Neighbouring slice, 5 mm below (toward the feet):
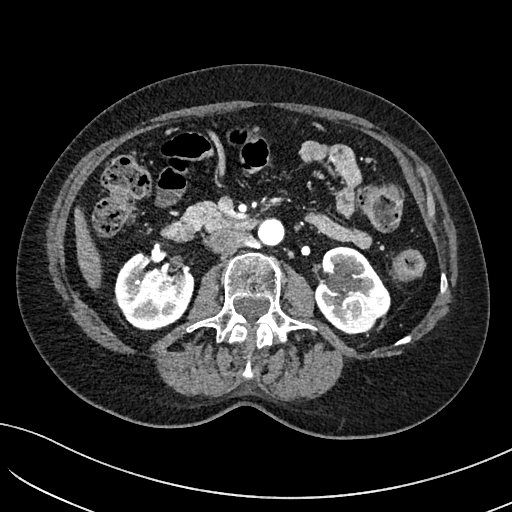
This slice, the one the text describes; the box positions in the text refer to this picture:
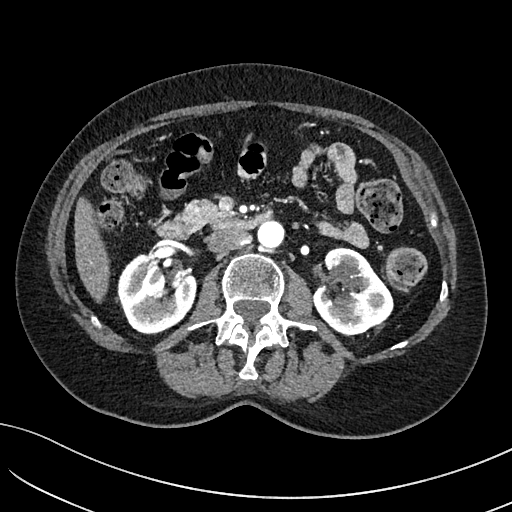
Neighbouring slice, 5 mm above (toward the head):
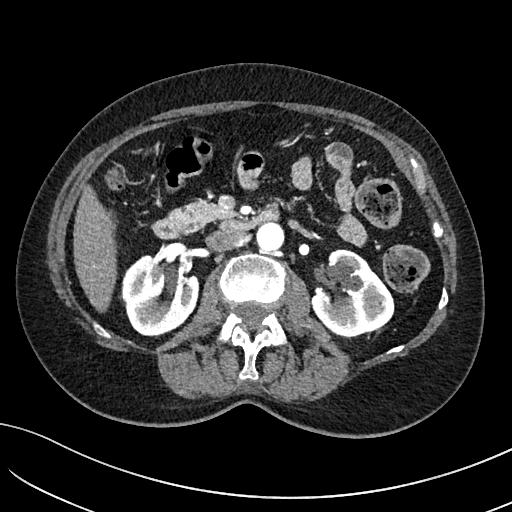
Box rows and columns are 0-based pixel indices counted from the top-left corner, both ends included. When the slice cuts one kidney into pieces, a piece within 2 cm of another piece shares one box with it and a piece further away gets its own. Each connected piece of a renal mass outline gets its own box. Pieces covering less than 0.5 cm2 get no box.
Arterial-phase contrast-enhanced abdominal CT, axial slice 59 of 234 (counted from the lowest slice); 2.00 mm thick, 0.699 mm per pixel. Boxed on this slice (two kidney boxes and one renal mass box), listed by box centre from the image's left to its right: (1) Right kidney at rows 253–334, columns 117–196 (outlined area 4,720 px, about 23.1 cm2). (2) Left kidney, box rows 247–336, columns 310–393 (outlined area 4,435 px, about 21.7 cm2). (3) Left renal mass, box rows 302–334, columns 348–375 (outlined area 620 px, about 3.0 cm2). This slice lies near the end of the left renal mass toward the head; the slices 5 mm below and 5 mm above it are shown too, and the boxes mark positions on this slice only.
Scan settings: 100 kVp, I40f reconstruction kernel.